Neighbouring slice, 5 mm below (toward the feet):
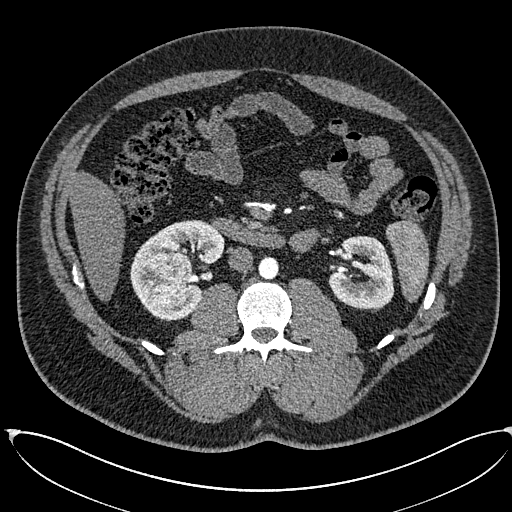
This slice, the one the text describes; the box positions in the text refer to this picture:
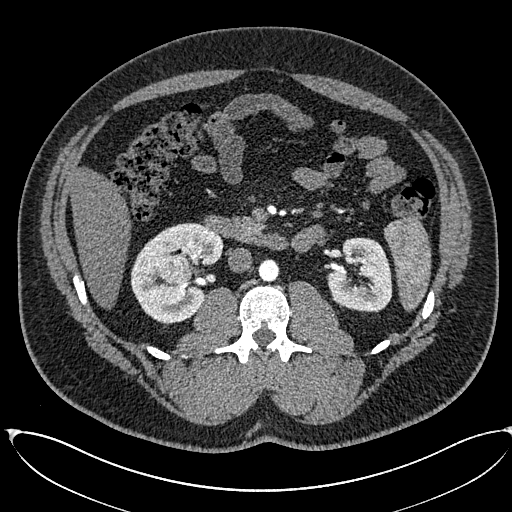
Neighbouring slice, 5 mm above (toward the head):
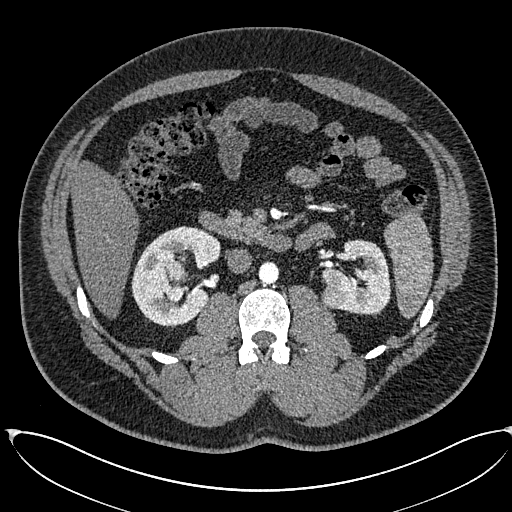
One axial slice (332 of 673, counting up from the lowest) of an arterial-phase abdominal CT acquired with 120 kVp, kernel I30f; each pixel is 0.855 mm and the slice is 1.00 mm thick.
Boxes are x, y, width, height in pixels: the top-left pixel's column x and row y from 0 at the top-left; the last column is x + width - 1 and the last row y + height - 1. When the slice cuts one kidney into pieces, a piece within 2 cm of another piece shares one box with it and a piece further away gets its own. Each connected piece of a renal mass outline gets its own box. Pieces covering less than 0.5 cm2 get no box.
Boxed on this slice (two kidney boxes and two renal mass boxes), listed by box centre from the image's left to its right: (1) Right renal mass at x 159, y 255, width 34, height 50 (outlined area 1,281 px, about 9.4 cm2). (2) Right kidney at x 130, y 223, width 94, height 101 (outlined area 5,425 px, about 39.7 cm2). (3) Left renal mass, box x 332, y 293, width 17, height 15 (outlined area 167 px, about 1.2 cm2). (4) Box x 326, y 237, width 67, height 76: left kidney (outlined area 3,617 px, about 26.5 cm2). This slice is near the end of the left renal mass toward the feet, so the slices 5 mm below and 5 mm above it are shown as well; the boxes refer to this slice only.